Axial slice 117 of 207 of a contrast-enhanced abdominal CT in the arterial phase (slice 1 is the lowest), 120 kVp, kernel FC18; 2.00 mm slice thickness and 0.741 mm pixels.
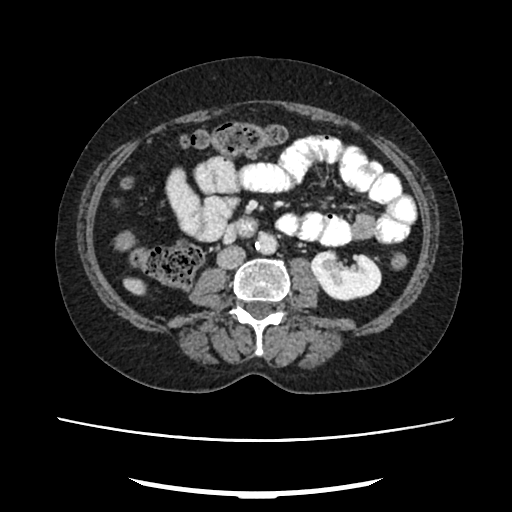
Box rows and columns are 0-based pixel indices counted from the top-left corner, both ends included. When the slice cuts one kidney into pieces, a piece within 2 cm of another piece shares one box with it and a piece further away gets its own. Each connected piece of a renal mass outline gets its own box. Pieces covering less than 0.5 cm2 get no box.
Box rows 248–301, columns 309–381: left kidney (outlined area 2,701 px, about 14.8 cm2). This slice carries no renal mass outline.